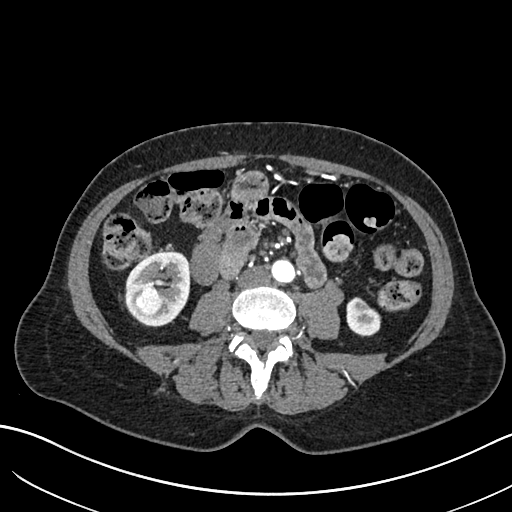
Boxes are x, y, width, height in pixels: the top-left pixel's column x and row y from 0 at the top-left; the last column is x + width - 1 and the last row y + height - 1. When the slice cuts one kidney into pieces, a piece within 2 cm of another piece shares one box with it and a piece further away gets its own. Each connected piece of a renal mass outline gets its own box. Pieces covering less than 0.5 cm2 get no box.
Slice 289/683 of a contrast-enhanced abdominal CT in the arterial phase, counting up from the lowest; pixel size 0.738 mm, slice thickness 1.00 mm. Two kidney boxes and one renal mass box on this slice; by box centre, from the image's left to its right: (1) Box x 134, y 286, width 31, height 30: right renal mass (outlined area 737 px, about 4.0 cm2). (2) Box x 124, y 251, width 67, height 75: right kidney (outlined area 3,233 px, about 17.6 cm2). (3) Box x 346, y 297, width 35, height 40: left kidney (outlined area 1,044 px, about 5.7 cm2).
Scan settings: 120 kVp, I30f reconstruction kernel.